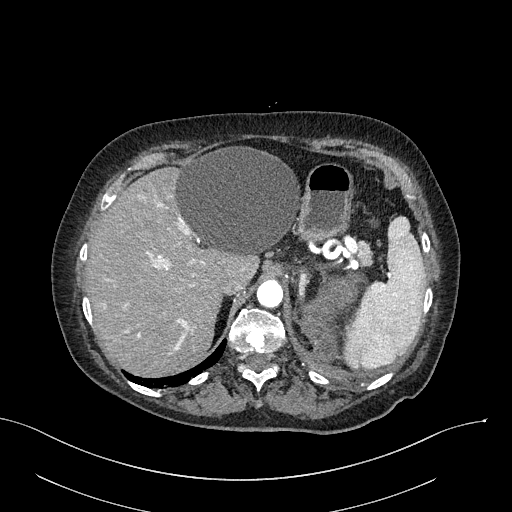
One axial slice (214 of 316, counting up from the lowest) of an arterial-phase abdominal CT acquired with 100 kVp, kernel I40f; each pixel is 0.840 mm and the slice is 2.00 mm thick.
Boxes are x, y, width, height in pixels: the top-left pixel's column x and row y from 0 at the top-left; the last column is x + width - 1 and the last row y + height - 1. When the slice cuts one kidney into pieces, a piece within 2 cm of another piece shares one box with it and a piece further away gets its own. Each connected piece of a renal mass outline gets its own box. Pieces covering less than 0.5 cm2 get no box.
Box x 300, y 272, width 65, height 90: left renal mass (outlined area 3,136 px, about 22.1 cm2); no kidney is outlined on this slice, but the same outlined renal mass comes within 1 cm of the kidney on another slice.